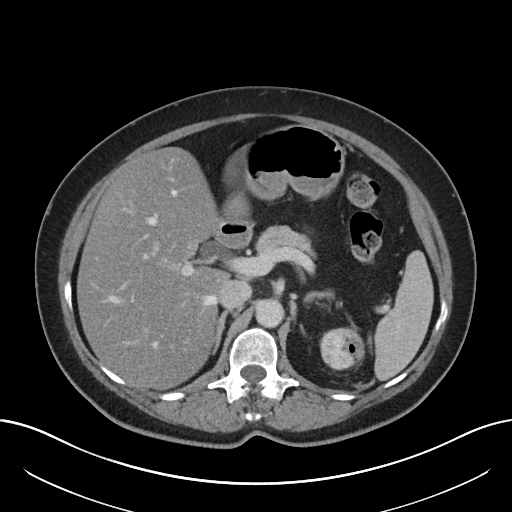
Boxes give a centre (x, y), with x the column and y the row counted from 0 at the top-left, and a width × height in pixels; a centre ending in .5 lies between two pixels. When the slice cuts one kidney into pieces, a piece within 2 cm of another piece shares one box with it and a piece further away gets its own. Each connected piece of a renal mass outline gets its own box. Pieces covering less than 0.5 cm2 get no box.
Slice 137/197 of a contrast-enhanced abdominal CT, counting up from the lowest; pixel size 0.791 mm, slice thickness 5.00 mm. Left renal mass in a box with centre (341.5, 348.5), 46 × 44 pixels (outlined area 1,593 px, about 10.0 cm2); this slice has no kidney outline, though on another slice the same outlined renal mass lies within 1 cm of the kidney.
Scan settings: 120 kVp, I30f reconstruction kernel.